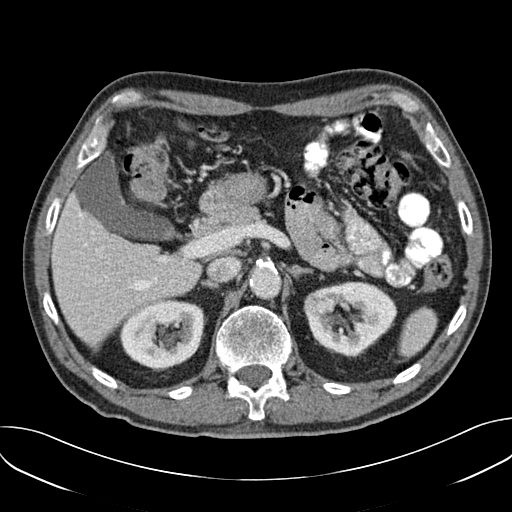
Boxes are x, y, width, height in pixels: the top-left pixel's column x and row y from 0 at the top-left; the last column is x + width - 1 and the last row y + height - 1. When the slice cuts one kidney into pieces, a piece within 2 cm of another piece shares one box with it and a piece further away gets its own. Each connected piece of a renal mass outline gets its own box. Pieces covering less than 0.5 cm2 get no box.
This is axial slice 114 of 157 (slice 1 is the lowest) of an arterial-phase abdominal CT with contrast; each pixel is 0.742 mm and the slice is 3.00 mm thick. Three boxes on this slice (two kidney boxes and one renal mass box), listed by box centre from the image's left to its right. (1) Right kidney, box x 119, y 300, width 84, height 70 (outlined area 4,575 px, about 25.2 cm2). (2) Left renal mass, box x 303, y 292, width 24, height 27 (outlined area 520 px, about 2.9 cm2). (3) Left kidney at x 307, y 281, width 91, height 77 (outlined area 4,573 px, about 25.2 cm2).
Tube voltage 120 kVp; convolution kernel B30f.